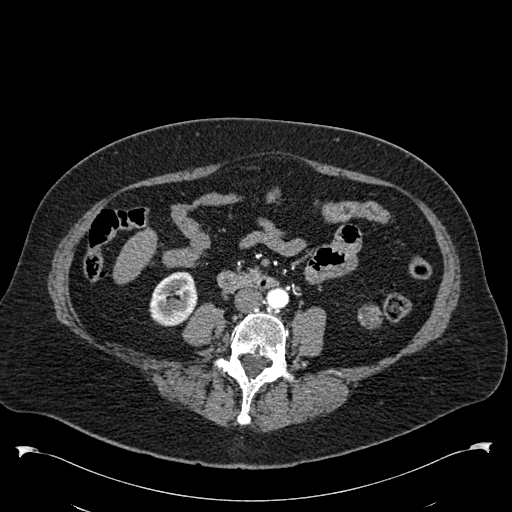
Axial slice 220 of 538 of a contrast-enhanced abdominal CT in the arterial phase (slice 1 is the lowest), 120 kVp, kernel B30f; 1.00 mm slice thickness and 0.811 mm pixels.
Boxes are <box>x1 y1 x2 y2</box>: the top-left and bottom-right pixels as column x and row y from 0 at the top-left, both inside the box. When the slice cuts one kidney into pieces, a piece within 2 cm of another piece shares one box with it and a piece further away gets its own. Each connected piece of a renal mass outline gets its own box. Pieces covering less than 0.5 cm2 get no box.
Boxed on this slice (one kidney box and one renal mass box), listed by box centre from the image's left to its right: (1) Right kidney: <box>149 271 197 326</box> (outlined area 2,054 px, about 13.5 cm2). (2) Left renal mass: <box>357 304 382 328</box> (outlined area 480 px, about 3.2 cm2); here it is more than 1 cm from any kidney outline, though on another slice the same outlined renal mass lies within 1 cm of the kidney.